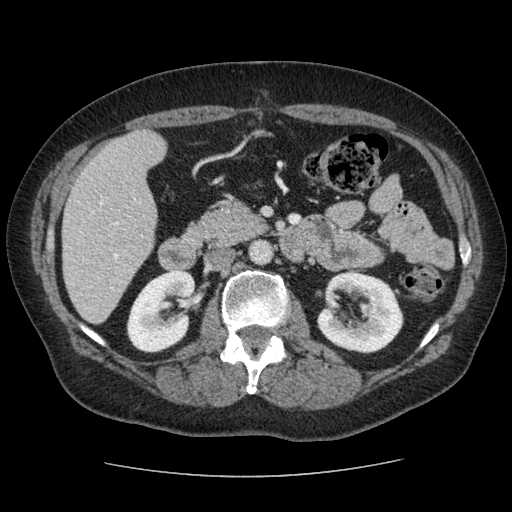
Abdominal CT with intravenous contrast, arterial phase, axial plane, 120 kVp, kernel STANDARD. Slice 46/96 from the bottom of the scan; thickness 2.50 mm; pixel size 0.689 mm.
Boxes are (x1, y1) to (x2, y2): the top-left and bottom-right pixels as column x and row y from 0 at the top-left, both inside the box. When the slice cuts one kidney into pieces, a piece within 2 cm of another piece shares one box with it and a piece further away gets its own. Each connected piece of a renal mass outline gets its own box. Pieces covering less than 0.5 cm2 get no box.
Two kidney boxes on this slice; by box centre, from the image's left to its right: (1) Box (126, 270) to (195, 352): right kidney (outlined area 4,281 px, about 20.3 cm2). (2) Left kidney from (317, 271) to (403, 353) (outlined area 5,229 px, about 24.9 cm2). No renal mass is outlined on this slice.